Abdominal CT with intravenous contrast, arterial phase, axial plane, 120 kVp, kernel I30f. Slice 209/541 from the bottom of the scan; thickness 1.00 mm; pixel size 0.834 mm.
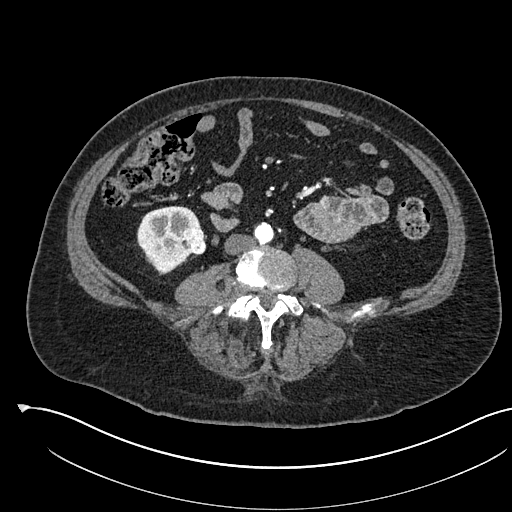
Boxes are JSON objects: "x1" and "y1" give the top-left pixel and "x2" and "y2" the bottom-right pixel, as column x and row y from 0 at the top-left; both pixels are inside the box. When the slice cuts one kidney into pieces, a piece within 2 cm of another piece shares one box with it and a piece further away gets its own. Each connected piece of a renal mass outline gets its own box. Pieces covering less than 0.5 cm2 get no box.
Two boxes on this slice (one kidney box and one renal mass box), listed by box centre from the image's left to its right. (1) Box {"x1": 137, "y1": 206, "x2": 200, "y2": 275}: right kidney (outlined area 2,824 px, about 19.6 cm2). (2) Right renal mass at {"x1": 178, "y1": 228, "x2": 206, "y2": 255} (outlined area 617 px, about 4.3 cm2).